Arterial-phase contrast-enhanced abdominal CT, axial slice 284 of 541 (counted from the lowest slice); tube voltage 120 kVp, convolution kernel I30f; slices 1.00 mm thick, 0.834 mm per pixel.
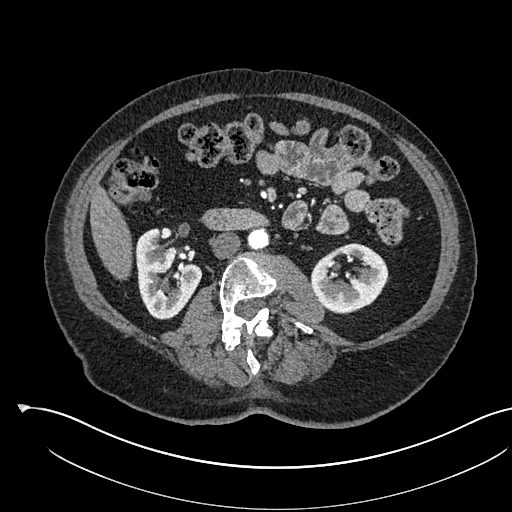
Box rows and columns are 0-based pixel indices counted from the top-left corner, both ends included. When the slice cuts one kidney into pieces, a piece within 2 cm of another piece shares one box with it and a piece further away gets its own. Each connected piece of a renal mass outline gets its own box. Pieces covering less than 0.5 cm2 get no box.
Two boxes on this slice (two kidney boxes), listed by box centre from the image's left to its right. (1) Right kidney, box rows 227–319, columns 135–202 (outlined area 4,078 px, about 28.4 cm2). (2) Box rows 243–314, columns 310–388: left kidney (outlined area 3,858 px, about 26.8 cm2). No renal mass outline on this slice.